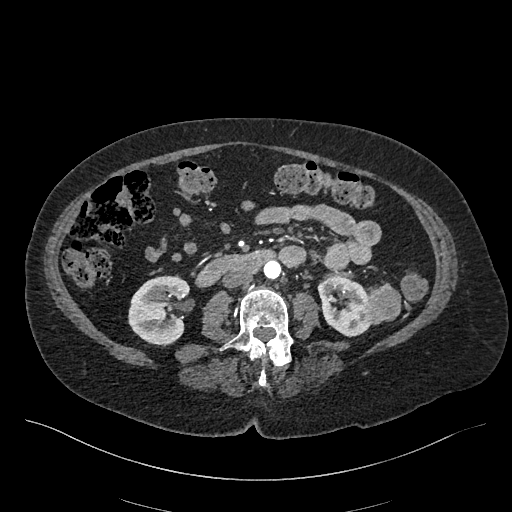
Arterial-phase contrast-enhanced abdominal CT, axial slice 207 of 548 (counted from the lowest slice); tube voltage 120 kVp, convolution kernel I26f; slices 1.00 mm thick, 0.852 mm per pixel.
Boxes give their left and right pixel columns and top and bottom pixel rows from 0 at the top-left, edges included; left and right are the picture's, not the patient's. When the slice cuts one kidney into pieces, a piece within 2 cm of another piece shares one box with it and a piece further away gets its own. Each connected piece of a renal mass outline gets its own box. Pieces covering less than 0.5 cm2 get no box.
Three boxes on this slice (two kidney boxes and one renal mass box), listed by box centre from the image's left to its right. (1) Right kidney, the box with left 128, top 275, right 190, bottom 346 (outlined area 3,413 px, about 24.7 cm2). (2) Left kidney, the box with left 317, top 276, right 370, bottom 337 (outlined area 2,365 px, about 17.2 cm2). (3) Box with left 363, top 282, right 400, bottom 324: left renal mass (outlined area 1,185 px, about 8.6 cm2).